Axial slice 67 of 274 of a contrast-enhanced abdominal CT in the arterial phase (slice 1 is the lowest), 120 kVp, kernel B30f; 2.00 mm slice thickness and 0.809 mm pixels.
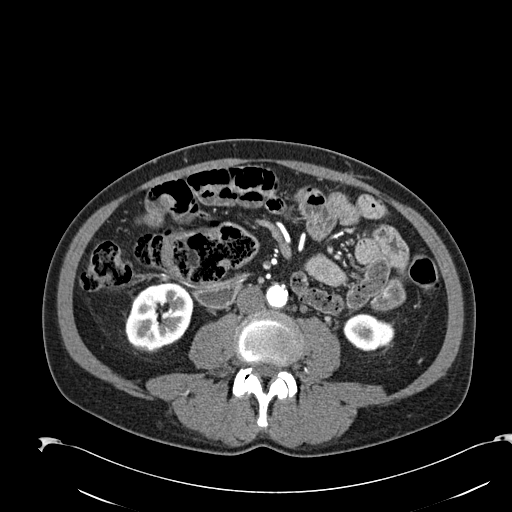
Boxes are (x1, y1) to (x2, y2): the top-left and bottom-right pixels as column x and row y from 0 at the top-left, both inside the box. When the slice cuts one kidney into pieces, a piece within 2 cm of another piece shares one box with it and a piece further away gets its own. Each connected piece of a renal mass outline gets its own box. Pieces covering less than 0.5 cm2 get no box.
Two kidney boxes on this slice; by box centre, from the image's left to its right: (1) Box (125, 283) to (192, 353): right kidney (outlined area 3,509 px, about 22.9 cm2). (2) Left kidney, box (343, 313) to (394, 350) (outlined area 1,470 px, about 9.6 cm2). No renal mass outline on this slice.